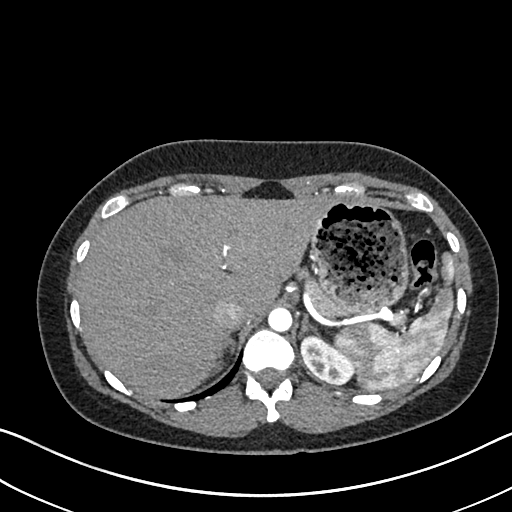
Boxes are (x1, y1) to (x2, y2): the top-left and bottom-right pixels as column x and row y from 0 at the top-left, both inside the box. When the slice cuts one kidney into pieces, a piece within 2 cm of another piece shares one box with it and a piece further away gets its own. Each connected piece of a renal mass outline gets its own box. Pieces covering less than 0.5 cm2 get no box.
Arterial-phase contrast-enhanced abdominal CT, axial slice 544 of 612 (counted from the lowest slice); 1.00 mm thick, 0.703 mm per pixel. Boxed on this slice (two kidney boxes), listed by box centre from the image's left to its right: (1) Right kidney, box (208, 355) to (222, 369) (outlined area 154 px, about 0.8 cm2). (2) Left kidney, box (300, 332) to (353, 384) (outlined area 1,832 px, about 9.1 cm2). This slice carries no renal mass outline.
Acquired at 120 kVp and reconstructed with the I30f kernel.